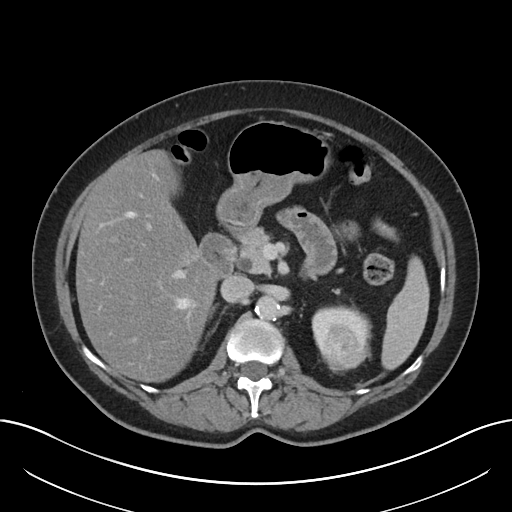
One axial slice (130 of 197, counting up from the lowest) of a contrast-enhanced abdominal CT acquired with 120 kVp, kernel I30f; each pixel is 0.791 mm and the slice is 5.00 mm thick.
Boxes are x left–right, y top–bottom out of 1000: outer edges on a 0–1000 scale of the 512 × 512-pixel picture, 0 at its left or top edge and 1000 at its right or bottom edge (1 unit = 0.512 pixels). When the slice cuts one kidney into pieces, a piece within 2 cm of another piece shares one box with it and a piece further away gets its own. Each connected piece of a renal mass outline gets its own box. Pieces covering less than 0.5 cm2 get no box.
One kidney box and one renal mass box on this slice; by box centre, from the image's left to its right: (1) Box x 607–729, y 596–691 out of 1000: left kidney (outlined area 1,551 px, about 9.7 cm2). (2) Box x 627–727, y 633–730 out of 1000: left renal mass (outlined area 1,663 px, about 10.4 cm2).